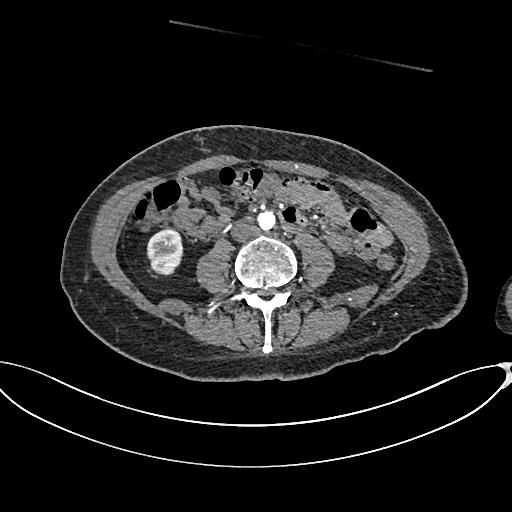
Abdominal CT with intravenous contrast, arterial phase, axial plane, 100 kVp, kernel I26f. Slice 289/665 from the bottom of the scan; thickness 1.00 mm; pixel size 0.828 mm.
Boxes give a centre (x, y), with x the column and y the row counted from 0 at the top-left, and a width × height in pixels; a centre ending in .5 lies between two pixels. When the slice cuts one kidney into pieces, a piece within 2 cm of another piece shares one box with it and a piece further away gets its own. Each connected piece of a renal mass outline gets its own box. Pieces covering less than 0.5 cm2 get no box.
Right kidney in a box with centre (164.5, 252), 38 × 47 pixels (outlined area 1,358 px, about 9.3 cm2). No renal mass outline on this slice.